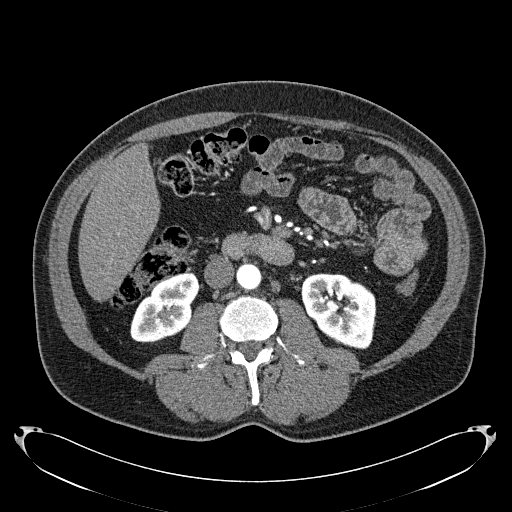
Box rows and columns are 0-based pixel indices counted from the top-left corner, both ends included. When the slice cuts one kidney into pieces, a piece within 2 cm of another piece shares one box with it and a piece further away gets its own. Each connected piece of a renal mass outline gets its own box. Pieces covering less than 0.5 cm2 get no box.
Arterial-phase contrast-enhanced abdominal CT, axial slice 97 of 279 (counted from the lowest slice); 2.00 mm thick, 0.824 mm per pixel. Two kidney boxes on this slice; by box centre, from the image's left to its right: (1) Right kidney, box rows 271–342, columns 130–199 (outlined area 3,270 px, about 22.2 cm2). (2) Box rows 273–349, columns 300–376: left kidney (outlined area 4,312 px, about 29.3 cm2). No renal mass outline on this slice.
Acquired at 120 kVp and reconstructed with the B31f kernel.